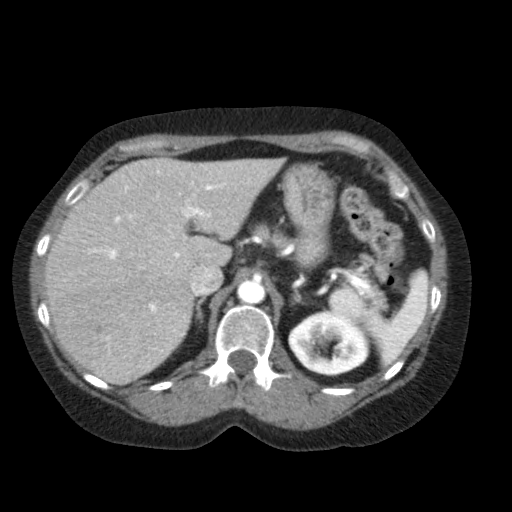
One axial slice (67 of 79, counting up from the lowest) of an arterial-phase abdominal CT acquired with 120 kVp, kernel FC11; each pixel is 0.686 mm and the slice is 5.00 mm thick.
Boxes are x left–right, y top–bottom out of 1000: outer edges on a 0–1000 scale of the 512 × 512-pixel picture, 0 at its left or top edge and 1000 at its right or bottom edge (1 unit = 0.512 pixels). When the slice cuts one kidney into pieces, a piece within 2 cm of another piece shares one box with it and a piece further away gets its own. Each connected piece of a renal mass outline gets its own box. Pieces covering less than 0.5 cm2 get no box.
Left kidney at x 563–725, y 604–736 out of 1000 (outlined area 3,870 px, about 18.2 cm2).